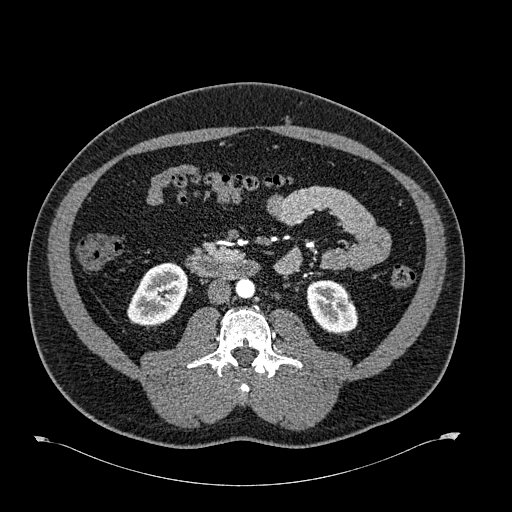
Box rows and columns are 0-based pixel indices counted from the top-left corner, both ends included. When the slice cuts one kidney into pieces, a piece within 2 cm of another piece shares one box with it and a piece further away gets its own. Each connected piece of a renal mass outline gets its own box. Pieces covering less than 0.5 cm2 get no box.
This is axial slice 304 of 723 (slice 1 is the lowest) of an arterial-phase abdominal CT with contrast; each pixel is 0.895 mm and the slice is 1.00 mm thick. Two boxes on this slice (two kidney boxes), listed by box centre from the image's left to its right. (1) Box rows 262–327, columns 127–187: right kidney (outlined area 2,819 px, about 22.6 cm2). (2) Box rows 280–334, columns 306–357: left kidney (outlined area 2,150 px, about 17.2 cm2). No renal mass is outlined on this slice.
Acquired at 120 kVp and reconstructed with the B30f kernel.